Axial slice 52 of 90 of a contrast-enhanced abdominal CT (slice 1 is the lowest), 120 kVp, kernel B41f; 5.00 mm slice thickness and 0.781 mm pixels.
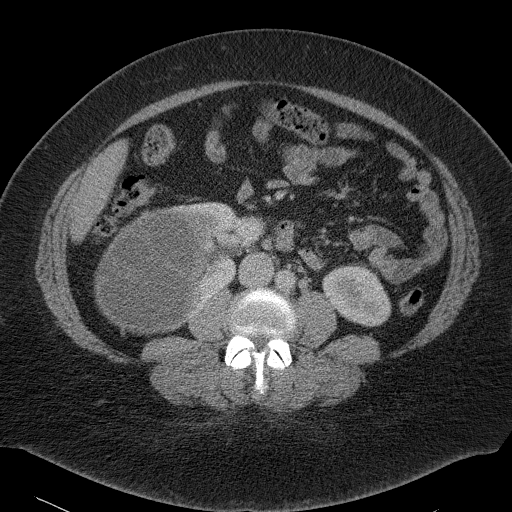
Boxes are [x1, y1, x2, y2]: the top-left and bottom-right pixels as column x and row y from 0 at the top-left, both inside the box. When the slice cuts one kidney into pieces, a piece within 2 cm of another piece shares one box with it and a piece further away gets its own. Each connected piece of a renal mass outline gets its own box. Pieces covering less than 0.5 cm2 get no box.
Boxed on this slice (two kidney boxes and one renal mass box), listed by box centre from the image's left to its right: (1) Box [94, 205, 214, 333]: right renal mass (outlined area 11,635 px, about 71.0 cm2). (2) Box [179, 202, 265, 311]: right kidney (outlined area 3,805 px, about 23.2 cm2). (3) Box [322, 263, 391, 326]: left kidney (outlined area 3,189 px, about 19.5 cm2).